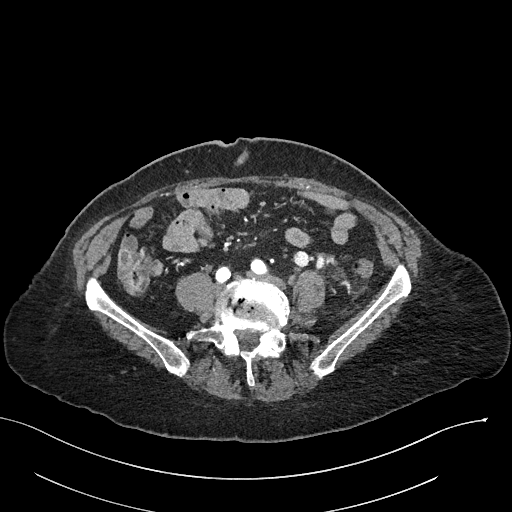
Axial slice 49 of 316 of a contrast-enhanced abdominal CT in the arterial phase (slice 1 is the lowest), 100 kVp, kernel I40f; 2.00 mm slice thickness and 0.840 mm pixels.
Neither a kidney nor a renal mass is outlined here. Only kidneys and renal masses are outlined anywhere in this scan; other structures are never outlined.